Arterial-phase contrast-enhanced abdominal CT, axial slice 295 of 705 (counted from the lowest slice); tube voltage 120 kVp, convolution kernel I30f; slices 1.00 mm thick, 0.703 mm per pixel.
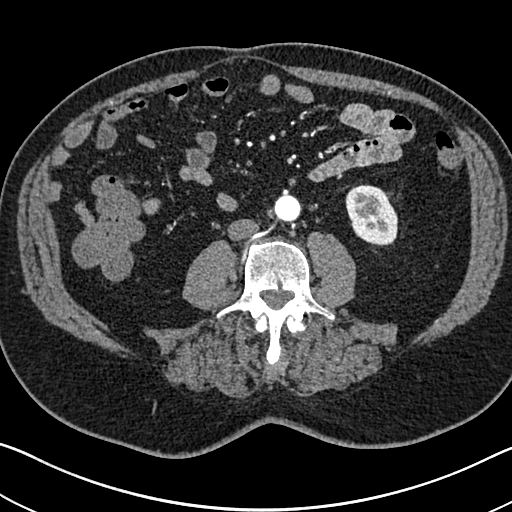
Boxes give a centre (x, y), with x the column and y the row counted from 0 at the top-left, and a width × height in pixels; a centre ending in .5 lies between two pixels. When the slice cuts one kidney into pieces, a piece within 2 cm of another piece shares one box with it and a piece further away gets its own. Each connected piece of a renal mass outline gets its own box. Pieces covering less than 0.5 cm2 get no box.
Left kidney in a box with centre (371, 215), 53 × 63 pixels (outlined area 2,494 px, about 12.3 cm2). No renal mass is outlined on this slice.